One axial slice (56 of 131, counting up from the lowest) of an arterial-phase abdominal CT acquired with 120 kVp, kernel B41f; each pixel is 0.760 mm and the slice is 5.00 mm thick.
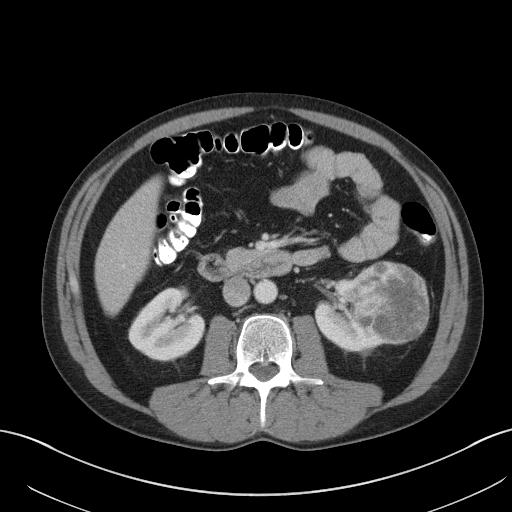
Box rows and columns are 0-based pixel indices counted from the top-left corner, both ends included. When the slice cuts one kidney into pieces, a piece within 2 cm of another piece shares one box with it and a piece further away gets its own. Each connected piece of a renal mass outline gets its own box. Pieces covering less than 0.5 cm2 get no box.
Three boxes on this slice (two kidney boxes and one renal mass box), listed by box centre from the image's left to its right. (1) Box rows 288–361, columns 128–204: right kidney (outlined area 3,985 px, about 23.0 cm2). (2) Left kidney, box rows 277–352, columns 314–384 (outlined area 2,498 px, about 14.4 cm2). (3) Box rows 261–343, columns 347–428: left renal mass (outlined area 5,214 px, about 30.1 cm2).